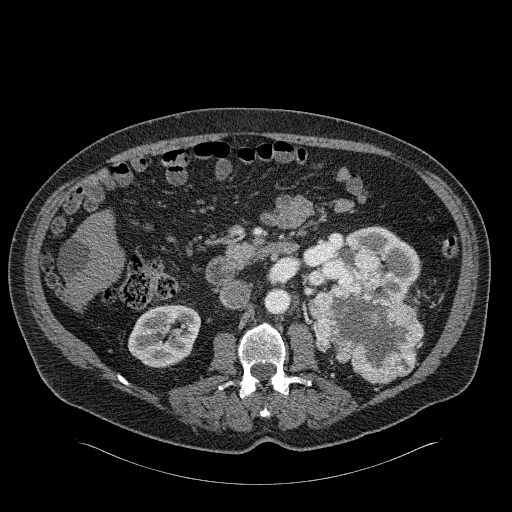
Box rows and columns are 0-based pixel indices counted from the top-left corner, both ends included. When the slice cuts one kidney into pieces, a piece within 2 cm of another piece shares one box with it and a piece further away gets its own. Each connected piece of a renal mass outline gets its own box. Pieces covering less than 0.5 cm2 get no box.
This is axial slice 116 of 326 (slice 1 is the lowest) of an arterial-phase abdominal CT with contrast; each pixel is 0.963 mm and the slice is 2.00 mm thick. Boxed on this slice (two kidney boxes and one renal mass box), listed by box centre from the image's left to its right: (1) Box rows 304–367, columns 128–200: right kidney (outlined area 3,527 px, about 32.7 cm2). (2) Left kidney at rows 225–300, columns 310–420 (outlined area 3,762 px, about 34.9 cm2). (3) Left renal mass, box rows 246–384, columns 308–424 (outlined area 9,225 px, about 85.5 cm2).
Acquired at 120 kVp and reconstructed with the B31f kernel.